Axial slice 303 of 673 of a contrast-enhanced abdominal CT in the arterial phase (slice 1 is the lowest), 120 kVp, kernel I30f; 1.00 mm slice thickness and 0.855 mm pixels.
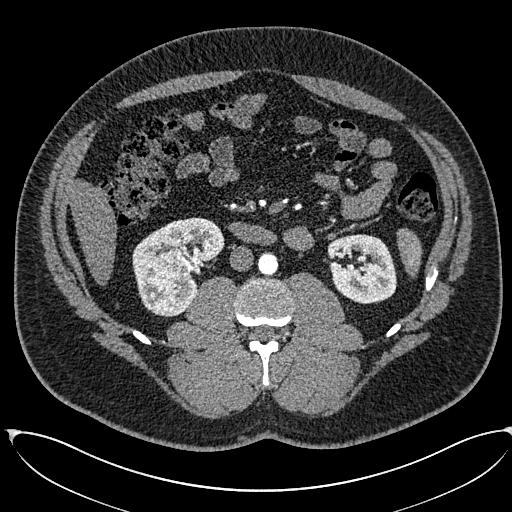
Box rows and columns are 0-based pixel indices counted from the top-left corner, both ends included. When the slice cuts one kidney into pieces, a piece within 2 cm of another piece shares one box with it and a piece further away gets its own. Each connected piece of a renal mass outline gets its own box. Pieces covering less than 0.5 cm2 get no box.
Three boxes on this slice (two kidney boxes and one renal mass box), listed by box centre from the image's left to its right. (1) Box rows 248–315, columns 142–190: right renal mass (outlined area 2,635 px, about 19.3 cm2). (2) Box rows 217–317, columns 132–224: right kidney (outlined area 3,705 px, about 27.1 cm2). (3) Left kidney at rows 234–304, columns 327–396 (outlined area 3,835 px, about 28.1 cm2).